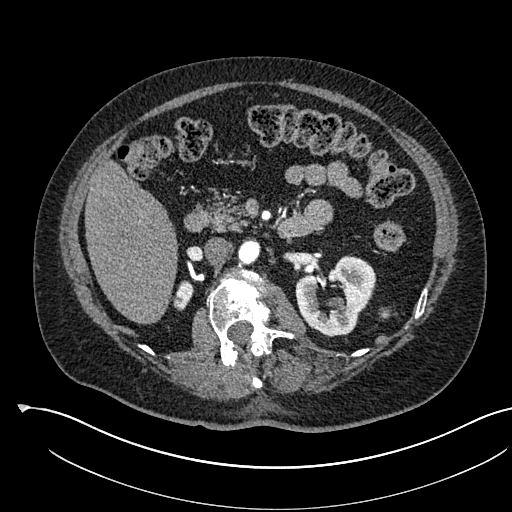
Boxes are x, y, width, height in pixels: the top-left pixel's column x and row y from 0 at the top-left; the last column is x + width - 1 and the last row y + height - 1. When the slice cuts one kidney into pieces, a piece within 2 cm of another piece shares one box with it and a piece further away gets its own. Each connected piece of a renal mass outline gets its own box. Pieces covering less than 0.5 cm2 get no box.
Slice 340/541 of a contrast-enhanced abdominal CT in the arterial phase, counting up from the lowest; pixel size 0.834 mm, slice thickness 1.00 mm. Two boxes on this slice (two kidney boxes), listed by box centre from the image's left to its right. (1) Box x 170, y 280, width 24, height 31: right kidney (outlined area 448 px, about 3.1 cm2). (2) Box x 295, y 255, width 82, height 82: left kidney (outlined area 4,270 px, about 29.7 cm2). This slice carries no renal mass outline.
Tube voltage 120 kVp; convolution kernel I30f.